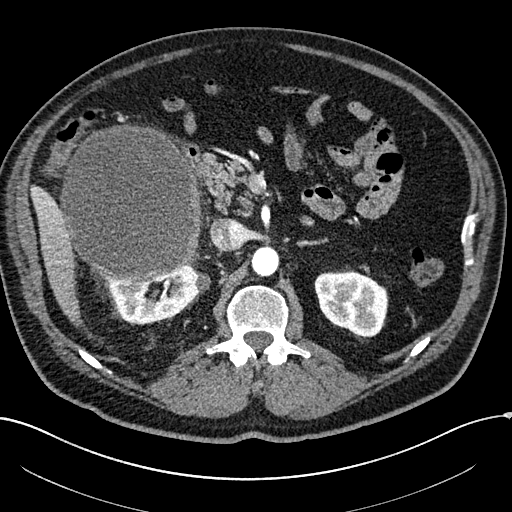
Arterial-phase contrast-enhanced abdominal CT, axial slice 142 of 304 (counted from the lowest slice); tube voltage 100 kVp, convolution kernel I30f; slices 2.00 mm thick, 0.809 mm per pixel.
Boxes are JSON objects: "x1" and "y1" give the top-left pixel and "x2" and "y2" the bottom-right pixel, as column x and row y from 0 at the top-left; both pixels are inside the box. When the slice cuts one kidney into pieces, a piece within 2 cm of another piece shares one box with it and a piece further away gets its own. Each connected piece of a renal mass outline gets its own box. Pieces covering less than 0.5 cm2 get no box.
Two kidney boxes and one renal mass box on this slice; by box centre, from the image's left to its right: (1) Box {"x1": 59, "y1": 124, "x2": 202, "y2": 283}: right renal mass (outlined area 18,213 px, about 119.1 cm2). (2) Right kidney at {"x1": 108, "y1": 262, "x2": 211, "y2": 324} (outlined area 3,534 px, about 23.1 cm2). (3) Left kidney at {"x1": 314, "y1": 272, "x2": 388, "y2": 337} (outlined area 3,721 px, about 24.3 cm2).